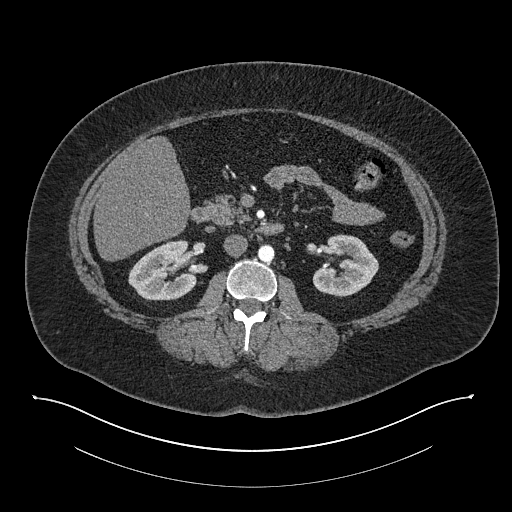
Axial slice 447 of 673 of a contrast-enhanced abdominal CT in the arterial phase (slice 1 is the lowest), 140 kVp, kernel I30f; 1.00 mm slice thickness and 0.957 mm pixels.
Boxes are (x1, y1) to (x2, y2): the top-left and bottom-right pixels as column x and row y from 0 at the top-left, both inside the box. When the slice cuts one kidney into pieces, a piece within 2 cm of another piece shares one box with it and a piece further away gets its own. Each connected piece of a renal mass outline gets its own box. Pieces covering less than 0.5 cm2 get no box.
Two boxes on this slice (two kidney boxes), listed by box centre from the image's left to its right. (1) Right kidney, box (128, 240) to (196, 300) (outlined area 3,068 px, about 28.1 cm2). (2) Box (312, 234) to (378, 297): left kidney (outlined area 2,890 px, about 26.5 cm2). This slice carries no renal mass outline.